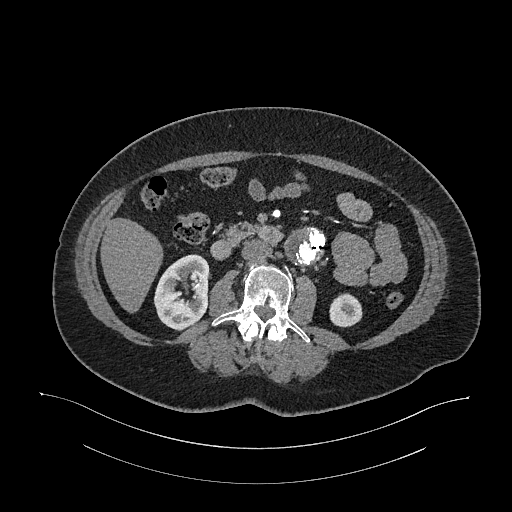
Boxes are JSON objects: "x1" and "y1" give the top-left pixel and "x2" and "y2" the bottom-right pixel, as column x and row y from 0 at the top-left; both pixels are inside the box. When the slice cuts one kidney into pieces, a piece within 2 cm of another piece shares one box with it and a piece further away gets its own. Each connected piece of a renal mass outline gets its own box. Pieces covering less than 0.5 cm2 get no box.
Slice 594/987 of a contrast-enhanced abdominal CT in the arterial phase, counting up from the lowest; pixel size 0.977 mm, slice thickness 1.00 mm. Two kidney boxes on this slice; by box centre, from the image's left to its right: (1) Box {"x1": 154, "y1": 254, "x2": 209, "y2": 330}: right kidney (outlined area 3,192 px, about 30.4 cm2). (2) Left kidney at {"x1": 329, "y1": 293, "x2": 362, "y2": 327} (outlined area 915 px, about 8.7 cm2). This slice carries no renal mass outline.
Scan settings: 120 kVp, I26f reconstruction kernel.